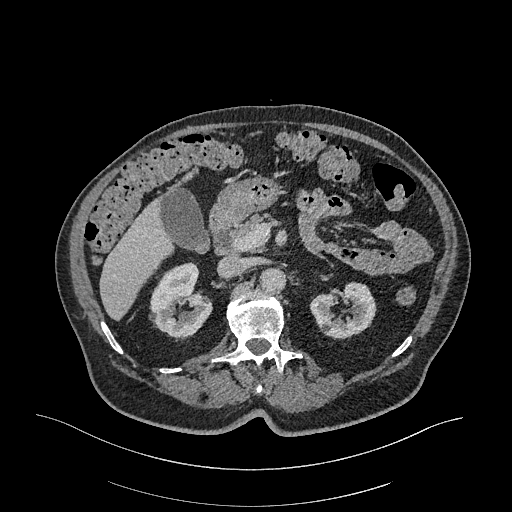
Abdominal CT with intravenous contrast, arterial phase, axial plane, 120 kVp, kernel I26f. Slice 203/470 from the bottom of the scan; thickness 1.00 mm; pixel size 0.938 mm.
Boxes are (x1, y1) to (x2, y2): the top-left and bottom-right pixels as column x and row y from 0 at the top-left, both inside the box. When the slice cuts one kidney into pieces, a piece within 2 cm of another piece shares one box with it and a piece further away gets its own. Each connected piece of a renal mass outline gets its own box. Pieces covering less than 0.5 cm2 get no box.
Boxed on this slice (two kidney boxes), listed by box centre from the image's left to its right: (1) Right kidney, box (150, 262) to (212, 337) (outlined area 3,277 px, about 28.8 cm2). (2) Left kidney, box (310, 281) to (376, 339) (outlined area 2,644 px, about 23.2 cm2). No renal mass outline on this slice.